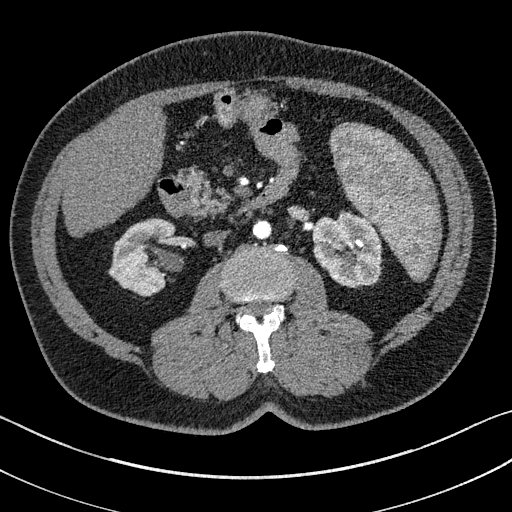
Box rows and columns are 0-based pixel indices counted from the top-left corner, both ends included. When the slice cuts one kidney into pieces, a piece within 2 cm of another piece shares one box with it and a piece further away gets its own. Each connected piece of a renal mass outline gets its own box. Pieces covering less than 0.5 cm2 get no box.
Slice 78/195 of a contrast-enhanced abdominal CT in the arterial phase, counting up from the lowest; pixel size 0.707 mm, slice thickness 1.50 mm. Two boxes on this slice (two kidney boxes), listed by box centre from the image's left to its right. (1) Right kidney, box rows 218–296, columns 109–175 (outlined area 3,568 px, about 17.8 cm2). (2) Box rows 211–287, columns 311–381: left kidney (outlined area 4,141 px, about 20.7 cm2). No renal mass outline on this slice.
Tube voltage 100 kVp; convolution kernel I31f.